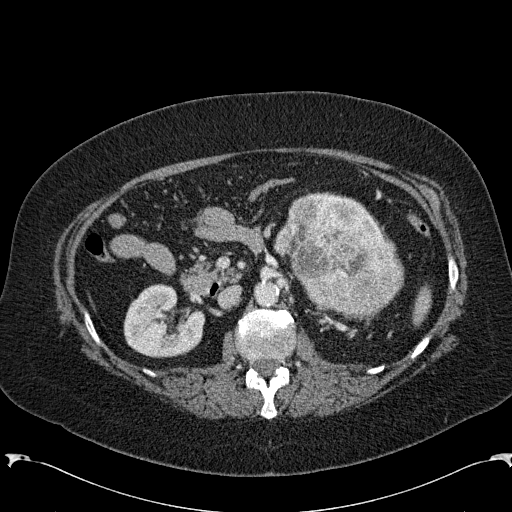
Abdominal CT with intravenous contrast, arterial phase, axial plane, 120 kVp, kernel B31f. Slice 134/285 from the bottom of the scan; thickness 2.00 mm; pixel size 0.762 mm.
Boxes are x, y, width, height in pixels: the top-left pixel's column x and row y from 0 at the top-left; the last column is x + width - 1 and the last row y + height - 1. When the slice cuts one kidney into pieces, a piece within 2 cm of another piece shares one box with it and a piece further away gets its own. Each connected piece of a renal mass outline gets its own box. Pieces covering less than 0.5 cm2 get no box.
Three boxes on this slice (two kidney boxes and one renal mass box), listed by box centre from the image's left to its right. (1) Right kidney, box x 123, y 283, width 82, height 75 (outlined area 4,397 px, about 25.5 cm2). (2) Left kidney at x 273, y 192, width 100, height 61 (outlined area 1,424 px, about 8.3 cm2). (3) Left renal mass at x 277, y 208, width 128, height 113 (outlined area 10,139 px, about 58.8 cm2).